One axial slice (13 of 57, counting up from the lowest) of a contrast-enhanced abdominal CT acquired with 120 kVp, kernel B31f; each pixel is 0.732 mm and the slice is 5.00 mm thick.
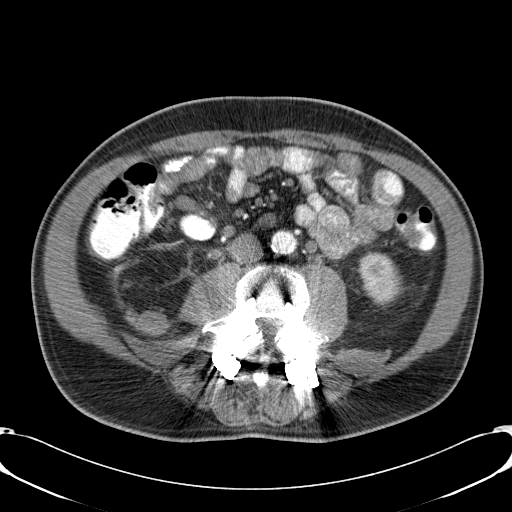
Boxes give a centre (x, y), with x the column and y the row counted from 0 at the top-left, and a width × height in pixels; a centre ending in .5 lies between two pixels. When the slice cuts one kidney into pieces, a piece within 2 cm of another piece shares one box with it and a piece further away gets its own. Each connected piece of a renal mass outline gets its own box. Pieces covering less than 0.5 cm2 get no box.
Box centre (379.5, 277.5), 48 × 54 pixels: left kidney (outlined area 1,866 px, about 10.0 cm2). No renal mass outline on this slice.